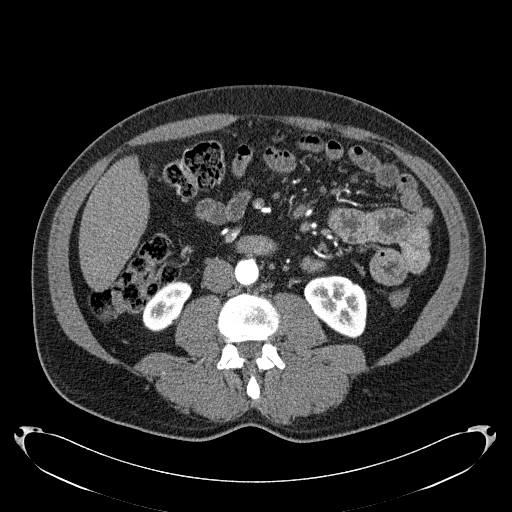
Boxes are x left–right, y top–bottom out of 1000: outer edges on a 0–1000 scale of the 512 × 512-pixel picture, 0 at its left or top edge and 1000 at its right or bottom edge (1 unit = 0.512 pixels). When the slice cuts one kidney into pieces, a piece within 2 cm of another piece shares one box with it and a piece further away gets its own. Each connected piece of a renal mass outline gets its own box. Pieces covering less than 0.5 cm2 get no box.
Arterial-phase contrast-enhanced abdominal CT, axial slice 81 of 279 (counted from the lowest slice); 2.00 mm thick, 0.824 mm per pixel. Two boxes on this slice (two kidney boxes), listed by box centre from the image's left to its right. (1) Right kidney at x 277–377, y 545–648 out of 1000 (outlined area 1,682 px, about 11.4 cm2). (2) Left kidney, box x 594–719, y 537–662 out of 1000 (outlined area 2,974 px, about 20.2 cm2). No renal mass outline on this slice.
Scan settings: 120 kVp, B31f reconstruction kernel.